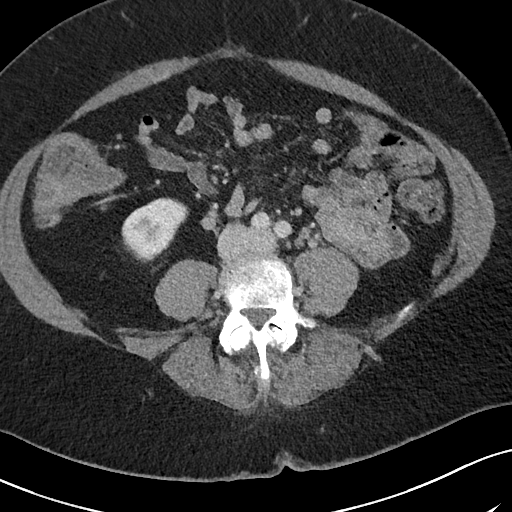
Axial slice 22 of 69 of a contrast-enhanced abdominal CT in the arterial phase (slice 1 is the lowest), 120 kVp, kernel I40f; 3.00 mm slice thickness and 0.664 mm pixels.
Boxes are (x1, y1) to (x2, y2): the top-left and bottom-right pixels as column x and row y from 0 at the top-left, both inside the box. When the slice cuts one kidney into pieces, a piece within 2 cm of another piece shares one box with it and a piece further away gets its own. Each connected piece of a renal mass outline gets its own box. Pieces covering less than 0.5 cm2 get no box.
Box (121, 197) to (188, 262): right kidney (outlined area 2,898 px, about 12.8 cm2). No renal mass is outlined on this slice.